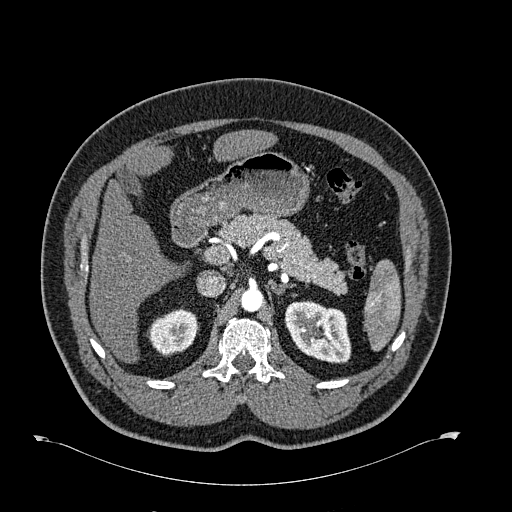
Axial slice 440 of 723 of a contrast-enhanced abdominal CT in the arterial phase (slice 1 is the lowest), 120 kVp, kernel B30f; 1.00 mm slice thickness and 0.895 mm pixels.
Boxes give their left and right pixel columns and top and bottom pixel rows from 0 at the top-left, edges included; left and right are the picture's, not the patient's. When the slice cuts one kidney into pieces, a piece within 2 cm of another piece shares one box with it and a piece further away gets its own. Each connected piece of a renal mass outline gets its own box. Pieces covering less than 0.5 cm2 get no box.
Boxed on this slice (two kidney boxes), listed by box centre from the image's left to its right: (1) Right kidney in the box with left 146, top 307, right 197, bottom 356 (outlined area 1,795 px, about 14.4 cm2). (2) Left kidney in the box with left 285, top 300, right 351, bottom 363 (outlined area 3,187 px, about 25.5 cm2). This slice carries no renal mass outline.